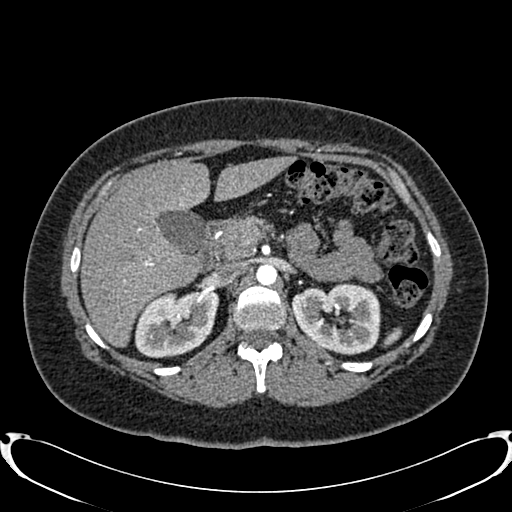
Abdominal CT with intravenous contrast, arterial phase, axial plane, 120 kVp, kernel B20f. Slice 532/719 from the bottom of the scan; thickness 1.00 mm; pixel size 0.766 mm.
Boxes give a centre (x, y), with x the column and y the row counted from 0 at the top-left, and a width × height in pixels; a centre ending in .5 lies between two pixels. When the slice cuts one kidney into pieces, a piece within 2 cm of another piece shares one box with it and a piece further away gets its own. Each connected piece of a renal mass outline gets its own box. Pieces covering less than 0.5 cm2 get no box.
Boxed on this slice (two kidney boxes), listed by box centre from the image's left to its right: (1) Right kidney, box centre (176.5, 323.5), 84 × 70 pixels (outlined area 4,456 px, about 26.1 cm2). (2) Box centre (335.5, 319), 90 × 73 pixels: left kidney (outlined area 4,868 px, about 28.5 cm2). This slice carries no renal mass outline.